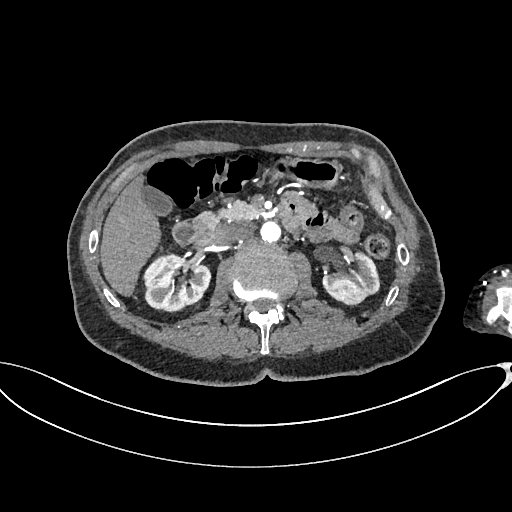
Abdominal CT with intravenous contrast, arterial phase, axial plane, 100 kVp, kernel I26f. Slice 406/665 from the bottom of the scan; thickness 1.00 mm; pixel size 0.828 mm.
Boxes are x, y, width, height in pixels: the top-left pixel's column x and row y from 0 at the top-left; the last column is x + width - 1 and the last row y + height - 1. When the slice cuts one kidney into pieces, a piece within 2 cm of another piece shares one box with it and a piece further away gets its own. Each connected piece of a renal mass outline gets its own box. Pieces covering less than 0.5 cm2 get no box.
Two kidney boxes on this slice; by box centre, from the image's left to its right: (1) Right kidney at x 142, y 253, width 70, height 60 (outlined area 3,131 px, about 21.5 cm2). (2) Box x 322, y 251, width 59, height 56: left kidney (outlined area 2,177 px, about 14.9 cm2). No renal mass is outlined on this slice.